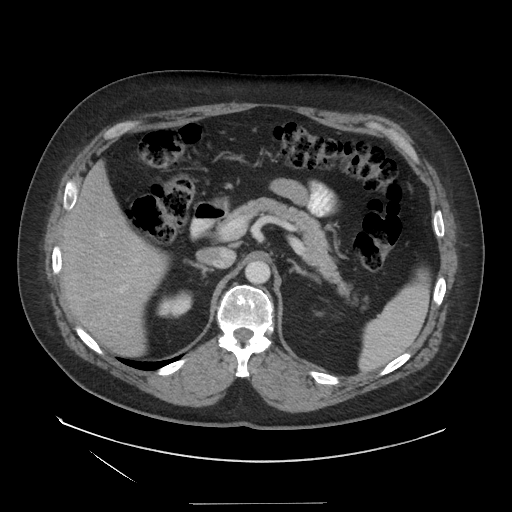
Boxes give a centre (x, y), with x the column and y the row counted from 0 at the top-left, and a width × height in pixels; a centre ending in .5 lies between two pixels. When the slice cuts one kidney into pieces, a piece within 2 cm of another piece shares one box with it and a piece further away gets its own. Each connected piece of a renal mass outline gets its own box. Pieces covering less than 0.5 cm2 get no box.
Slice 96/129 of a contrast-enhanced abdominal CT in the arterial phase, counting up from the lowest; pixel size 0.938 mm, slice thickness 3.75 mm. Right kidney in a box with centre (174, 303.5), 37 × 28 pixels (outlined area 743 px, about 6.5 cm2). This slice carries no renal mass outline.
Scan settings: 140 kVp, STANDARD reconstruction kernel.